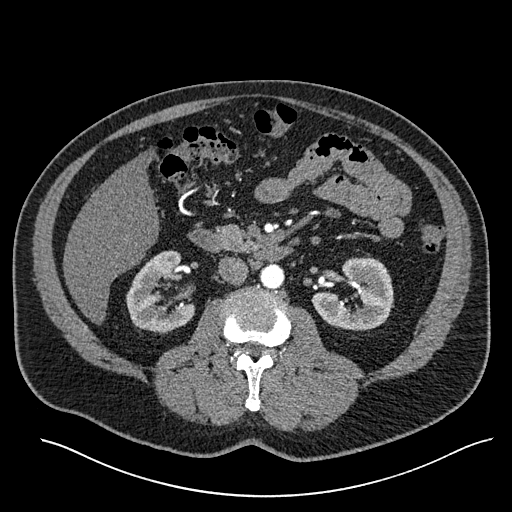
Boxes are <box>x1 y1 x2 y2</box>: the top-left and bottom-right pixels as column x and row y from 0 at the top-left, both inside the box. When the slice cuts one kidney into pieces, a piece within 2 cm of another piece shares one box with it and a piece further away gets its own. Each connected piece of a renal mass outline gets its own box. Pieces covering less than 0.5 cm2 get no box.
Slice 312/527 of a contrast-enhanced abdominal CT in the arterial phase, counting up from the lowest; pixel size 0.859 mm, slice thickness 1.00 mm. Two kidney boxes on this slice; by box centre, from the image's left to its right: (1) Right kidney at <box>126 250 195 332</box> (outlined area 3,868 px, about 28.6 cm2). (2) Left kidney at <box>311 254 393 330</box> (outlined area 4,186 px, about 30.9 cm2).
Tube voltage 120 kVp; convolution kernel I30f.